One axial slice (359 of 512, counting up from the lowest) of an arterial-phase abdominal CT acquired with 120 kVp, kernel B30f; each pixel is 0.771 mm and the slice is 1.00 mm thick.
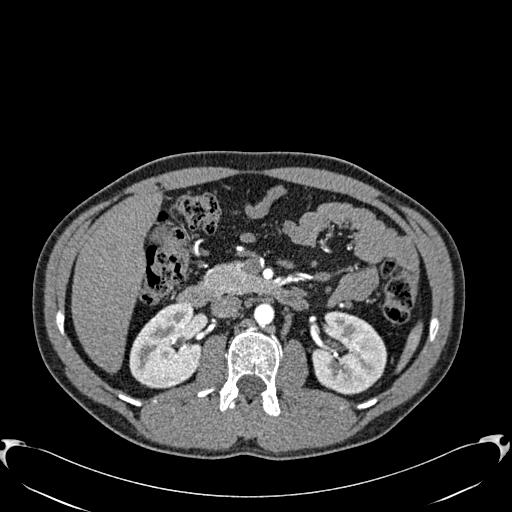
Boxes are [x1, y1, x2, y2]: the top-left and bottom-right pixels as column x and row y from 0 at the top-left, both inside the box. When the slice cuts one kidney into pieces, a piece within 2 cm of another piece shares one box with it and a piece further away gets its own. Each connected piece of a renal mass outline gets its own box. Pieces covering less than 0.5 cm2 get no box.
Two kidney boxes on this slice; by box centre, from the image's left to its right: (1) Right kidney, box [129, 303, 201, 388] (outlined area 4,663 px, about 27.8 cm2). (2) Box [312, 311, 387, 395]: left kidney (outlined area 4,759 px, about 28.3 cm2). This slice carries no renal mass outline.